One axial slice (54 of 69, counting up from the lowest) of an arterial-phase abdominal CT acquired with 120 kVp, kernel STANDARD; each pixel is 0.846 mm and the slice is 2.50 mm thick.
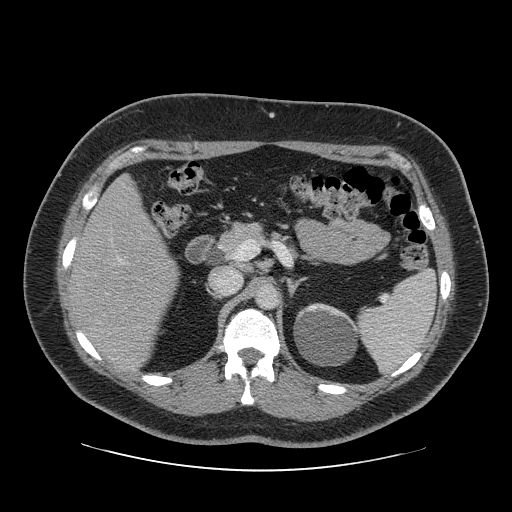
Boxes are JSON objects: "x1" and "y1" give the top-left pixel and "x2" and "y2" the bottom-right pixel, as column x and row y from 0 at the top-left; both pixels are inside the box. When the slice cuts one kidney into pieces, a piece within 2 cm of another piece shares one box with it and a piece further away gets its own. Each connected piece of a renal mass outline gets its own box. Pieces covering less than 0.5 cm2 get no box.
Box {"x1": 293, "y1": 302, "x2": 359, "y2": 366}: left kidney (outlined area 3,303 px, about 23.6 cm2). No renal mass is outlined on this slice.